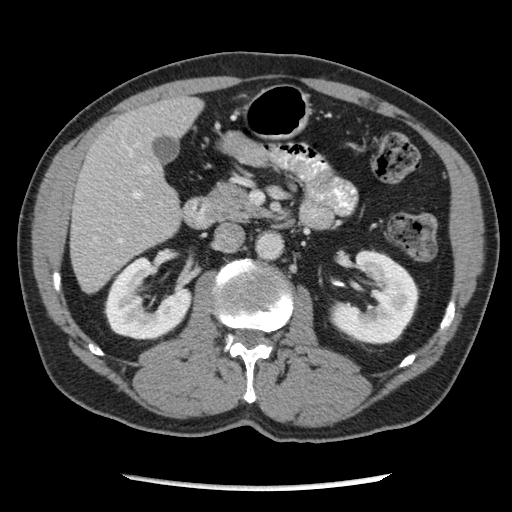
One axial slice (122 of 262, counting up from the lowest) of an arterial-phase abdominal CT acquired with 120 kVp, kernel STANDARD; each pixel is 0.703 mm and the slice is 2.50 mm thick.
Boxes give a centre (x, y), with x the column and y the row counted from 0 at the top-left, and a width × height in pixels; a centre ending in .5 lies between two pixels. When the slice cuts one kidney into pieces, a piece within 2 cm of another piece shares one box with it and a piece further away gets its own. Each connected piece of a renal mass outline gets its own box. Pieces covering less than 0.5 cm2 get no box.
Two boxes on this slice (two kidney boxes), listed by box centre from the image's left to its right. (1) Right kidney in a box with centre (149, 297.5), 87 × 82 pixels (outlined area 4,595 px, about 22.7 cm2). (2) Left kidney in a box with centre (373, 296.5), 91 × 96 pixels (outlined area 5,600 px, about 27.7 cm2). This slice carries no renal mass outline.